Arterial-phase contrast-enhanced abdominal CT, axial slice 82 of 129 (counted from the lowest slice); tube voltage 100 kVp, convolution kernel I41f; slices 3.00 mm thick, 0.779 mm per pixel.
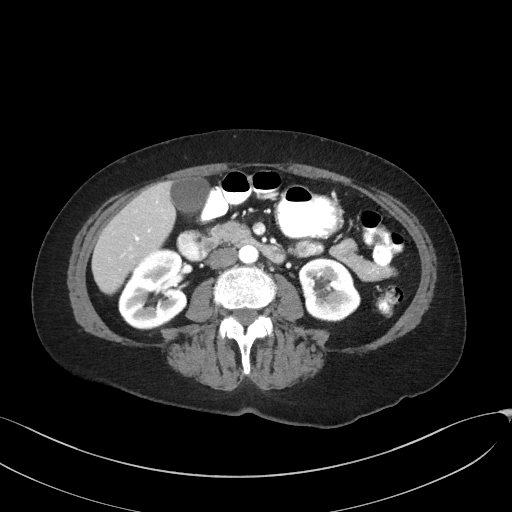
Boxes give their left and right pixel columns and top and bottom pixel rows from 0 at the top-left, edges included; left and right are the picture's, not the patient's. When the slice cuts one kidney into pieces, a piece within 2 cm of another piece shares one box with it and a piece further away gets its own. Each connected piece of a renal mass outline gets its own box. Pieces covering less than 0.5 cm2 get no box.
Two kidney boxes on this slice; by box centre, from the image's left to its right: (1) Right kidney, the box with left 118, top 249, right 188, bottom 329 (outlined area 4,191 px, about 25.5 cm2). (2) Left kidney, the box with left 298, top 257, right 360, bottom 321 (outlined area 3,085 px, about 18.7 cm2). No renal mass is outlined on this slice.